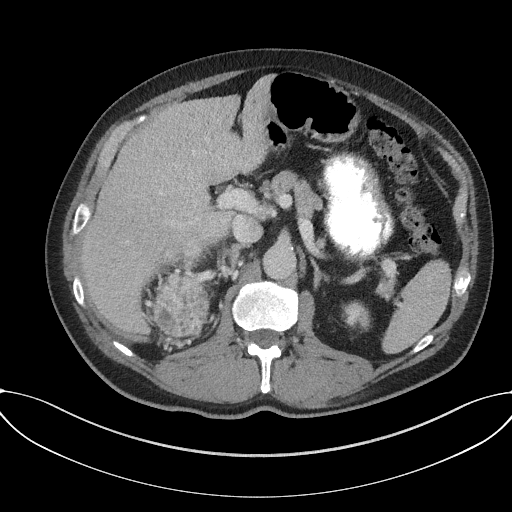
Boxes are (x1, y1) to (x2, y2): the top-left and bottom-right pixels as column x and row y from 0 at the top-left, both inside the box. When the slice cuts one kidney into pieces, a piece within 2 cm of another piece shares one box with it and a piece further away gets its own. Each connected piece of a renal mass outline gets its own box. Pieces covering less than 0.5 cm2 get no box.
Arterial-phase contrast-enhanced abdominal CT, axial slice 108 of 227 (counted from the lowest slice); 3.00 mm thick, 0.816 mm per pixel. One kidney box and one renal mass box on this slice; by box centre, from the image's left to its right: (1) Box (152, 246) to (209, 337): right renal mass (outlined area 3,823 px, about 25.5 cm2); it sits over 1 cm from every kidney outline on this slice, but the same outlined renal mass comes within 1 cm of the kidney on another slice. (2) Left kidney, box (344, 301) to (369, 330) (outlined area 580 px, about 3.9 cm2).
Scan settings: 120 kVp, I31f reconstruction kernel.